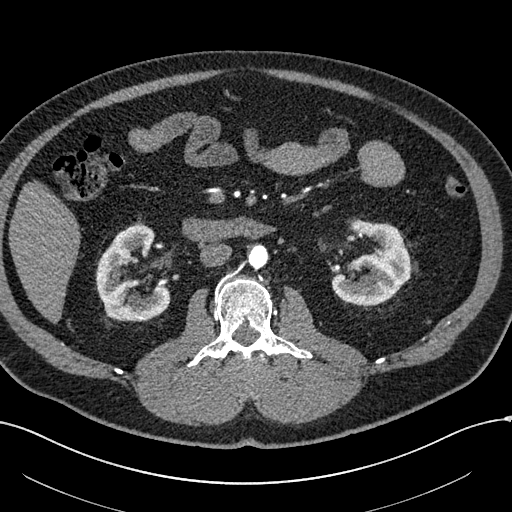
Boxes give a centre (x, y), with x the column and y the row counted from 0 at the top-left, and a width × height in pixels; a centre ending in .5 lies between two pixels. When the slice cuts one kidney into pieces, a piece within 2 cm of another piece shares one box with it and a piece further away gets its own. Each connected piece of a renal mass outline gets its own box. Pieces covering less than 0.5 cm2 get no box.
Slice 303/602 of a contrast-enhanced abdominal CT in the arterial phase, counting up from the lowest; pixel size 0.799 mm, slice thickness 1.00 mm. Two boxes on this slice (two kidney boxes), listed by box centre from the image's left to its right. (1) Box centre (133, 273), 75 × 97 pixels: right kidney (outlined area 4,818 px, about 30.7 cm2). (2) Left kidney, box centre (371, 262.5), 81 × 88 pixels (outlined area 4,700 px, about 30.0 cm2). No renal mass outline on this slice.
Scan settings: 120 kVp, I30f reconstruction kernel.